Contrast-enhanced abdominal CT, axial slice 305 of 734 (counted from the lowest slice); tube voltage 120 kVp, convolution kernel B31f; slices 2.00 mm thick, 0.971 mm per pixel.
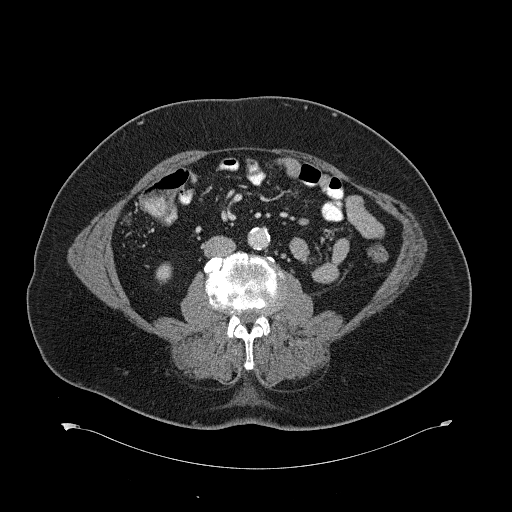
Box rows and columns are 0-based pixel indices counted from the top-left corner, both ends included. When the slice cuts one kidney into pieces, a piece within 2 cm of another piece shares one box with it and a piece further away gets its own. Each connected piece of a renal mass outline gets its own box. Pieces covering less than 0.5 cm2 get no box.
Box rows 262–283, columns 155–172: right kidney (outlined area 276 px, about 2.6 cm2). No renal mass outline on this slice.